Axial slice 335 of 591 of a contrast-enhanced abdominal CT in the arterial phase (slice 1 is the lowest), 140 kVp, kernel I30f; 1.00 mm slice thickness and 0.703 mm pixels.
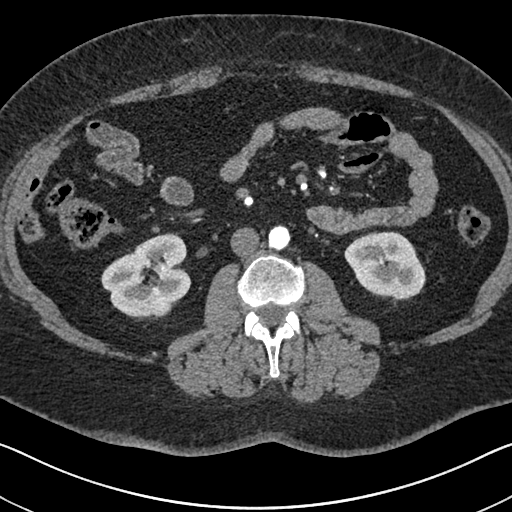
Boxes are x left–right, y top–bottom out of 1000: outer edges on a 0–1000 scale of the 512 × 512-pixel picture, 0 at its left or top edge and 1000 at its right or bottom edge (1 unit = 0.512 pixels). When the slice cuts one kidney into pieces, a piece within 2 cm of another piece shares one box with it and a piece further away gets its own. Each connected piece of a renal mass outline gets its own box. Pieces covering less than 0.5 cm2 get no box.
Boxed on this slice (two kidney boxes), listed by box centre from the image's left to its right: (1) Box x 197–375, y 455–627 out of 1000: right kidney (outlined area 5,464 px, about 27.0 cm2). (2) Left kidney, box x 672–832, y 451–598 out of 1000 (outlined area 4,185 px, about 20.7 cm2). No renal mass is outlined on this slice.